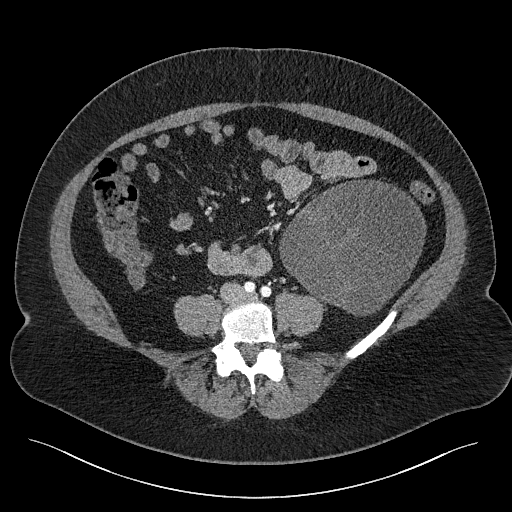
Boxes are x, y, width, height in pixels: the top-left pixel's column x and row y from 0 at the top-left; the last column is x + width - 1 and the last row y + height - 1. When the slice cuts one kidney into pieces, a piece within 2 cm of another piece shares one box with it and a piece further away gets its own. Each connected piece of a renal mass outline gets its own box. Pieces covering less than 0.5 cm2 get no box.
Slice 61/301 of a contrast-enhanced abdominal CT, counting up from the lowest; pixel size 0.859 mm, slice thickness 2.00 mm. Left renal mass, box x 279, y 180, width 148, height 136 (outlined area 14,346 px, about 105.9 cm2); this slice has no kidney outline, though on another slice the same outlined renal mass lies within 1 cm of the kidney.
Acquired at 120 kVp and reconstructed with the I40f kernel.